Abdominal CT with intravenous contrast, arterial phase, axial plane, 100 kVp, kernel I40f. Slice 58/270 from the bottom of the scan; thickness 2.00 mm; pixel size 0.855 mm.
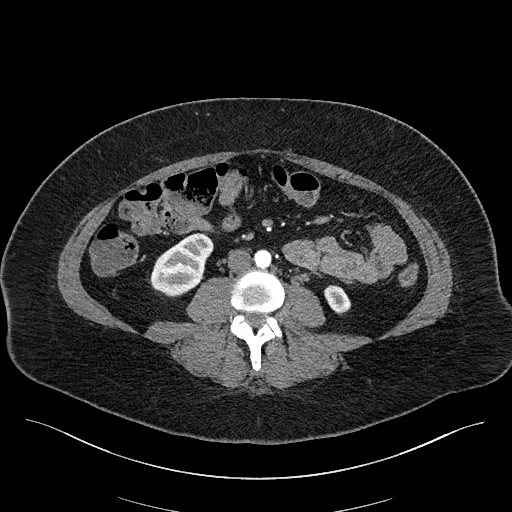
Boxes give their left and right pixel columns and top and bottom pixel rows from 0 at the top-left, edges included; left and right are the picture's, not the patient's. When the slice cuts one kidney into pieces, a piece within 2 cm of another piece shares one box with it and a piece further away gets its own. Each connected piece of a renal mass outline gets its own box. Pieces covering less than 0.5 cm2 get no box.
Boxed on this slice (two kidney boxes), listed by box centre from the image's left to its right: (1) Right kidney in the box with left 149, top 233, right 213, bottom 297 (outlined area 2,694 px, about 19.7 cm2). (2) Left kidney in the box with left 324, top 285, right 351, bottom 314 (outlined area 573 px, about 4.2 cm2). This slice carries no renal mass outline.